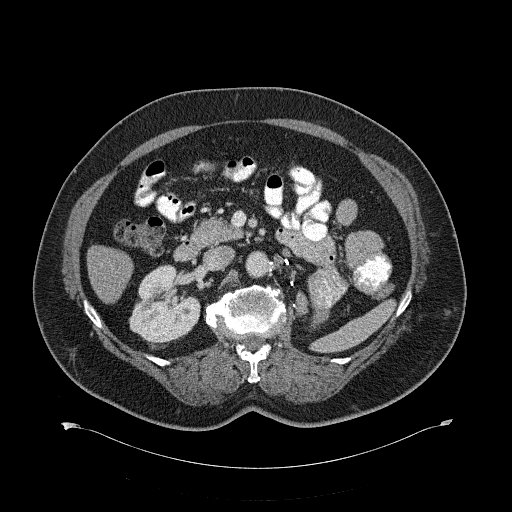
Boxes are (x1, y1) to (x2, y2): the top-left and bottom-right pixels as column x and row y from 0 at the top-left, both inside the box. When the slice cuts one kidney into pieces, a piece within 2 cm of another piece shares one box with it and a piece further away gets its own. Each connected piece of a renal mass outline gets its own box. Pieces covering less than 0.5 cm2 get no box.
This is axial slice 373 of 734 (slice 1 is the lowest) of an abdominal CT with contrast; each pixel is 0.971 mm and the slice is 2.00 mm thick. Right kidney, box (129, 264) to (200, 341) (outlined area 3,962 px, about 37.3 cm2). This slice carries no renal mass outline.
Acquired at 120 kVp and reconstructed with the B31f kernel.